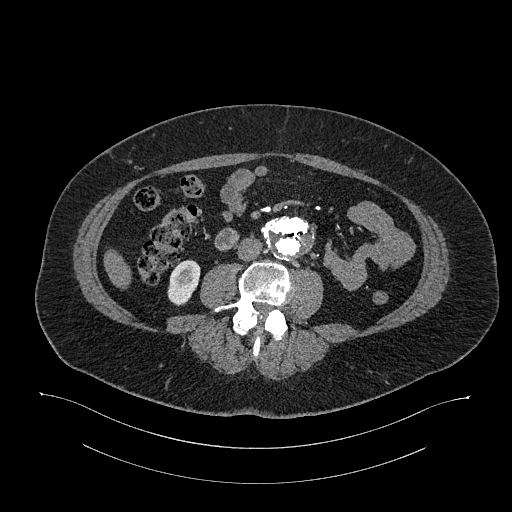
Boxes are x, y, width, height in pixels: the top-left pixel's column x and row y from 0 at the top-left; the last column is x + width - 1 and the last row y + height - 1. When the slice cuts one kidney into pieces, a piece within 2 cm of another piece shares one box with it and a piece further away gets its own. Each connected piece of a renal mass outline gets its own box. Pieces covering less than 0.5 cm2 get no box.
Slice 542/987 of a contrast-enhanced abdominal CT in the arterial phase, counting up from the lowest; pixel size 0.977 mm, slice thickness 1.00 mm. Right kidney at x 167, y 260, width 34, height 46 (outlined area 1,125 px, about 10.7 cm2). No renal mass is outlined on this slice.
Scan settings: 120 kVp, I26f reconstruction kernel.